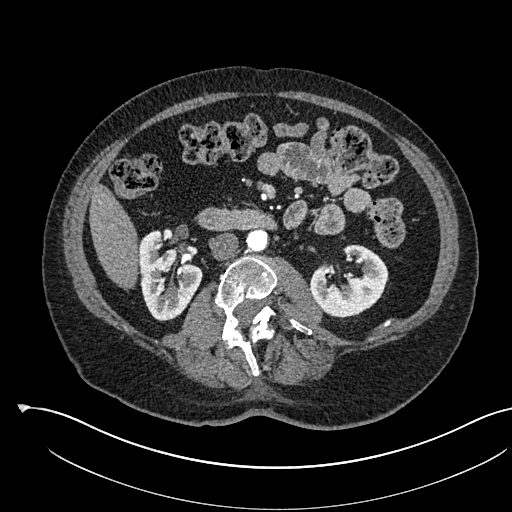
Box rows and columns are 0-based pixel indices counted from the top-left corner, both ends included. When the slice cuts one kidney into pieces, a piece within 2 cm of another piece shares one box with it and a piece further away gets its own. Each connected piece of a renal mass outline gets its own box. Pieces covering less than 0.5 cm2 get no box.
Slice 291/541 of a contrast-enhanced abdominal CT in the arterial phase, counting up from the lowest; pixel size 0.834 mm, slice thickness 1.00 mm. Two kidney boxes on this slice; by box centre, from the image's left to its right: (1) Right kidney at rows 230–321, columns 139–201 (outlined area 3,911 px, about 27.2 cm2). (2) Left kidney at rows 244–318, columns 310–388 (outlined area 3,742 px, about 26.0 cm2). No renal mass outline on this slice.
Scan settings: 120 kVp, I30f reconstruction kernel.